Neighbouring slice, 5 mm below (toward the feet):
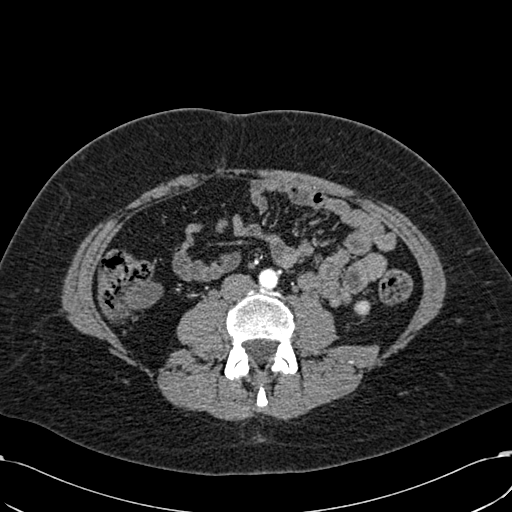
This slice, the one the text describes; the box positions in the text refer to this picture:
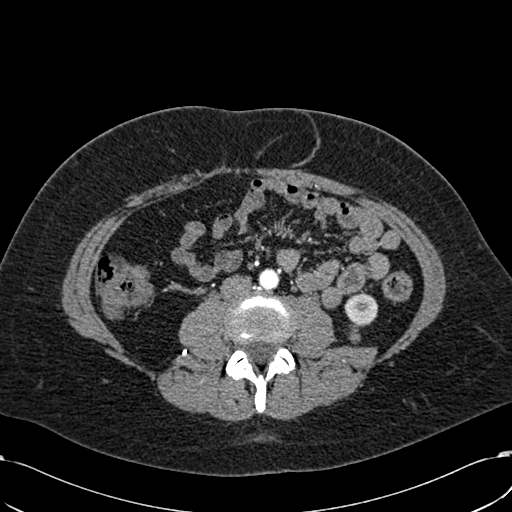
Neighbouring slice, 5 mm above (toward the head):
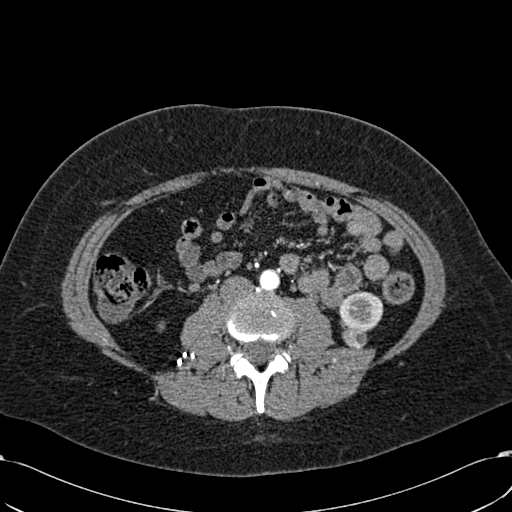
Abdominal CT with intravenous contrast, arterial phase, axial plane, 120 kVp, kernel B30f. Slice 254/532 from the bottom of the scan; thickness 1.00 mm; pixel size 0.713 mm.
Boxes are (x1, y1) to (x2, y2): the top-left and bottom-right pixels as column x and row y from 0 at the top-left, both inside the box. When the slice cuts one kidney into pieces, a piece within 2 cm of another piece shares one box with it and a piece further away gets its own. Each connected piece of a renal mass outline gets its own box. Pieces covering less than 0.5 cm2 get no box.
Two boxes on this slice (one kidney box and one renal mass box), listed by box centre from the image's left to its right. (1) Box (349, 322) to (360, 340): left renal mass (outlined area 163 px, about 0.8 cm2). (2) Box (344, 293) to (378, 326): left kidney (outlined area 865 px, about 4.4 cm2). This slice is near the end of the left renal mass toward the feet, so the slices 5 mm below and 5 mm above it are shown as well; the boxes refer to this slice only.